Arterial-phase contrast-enhanced abdominal CT, axial slice 597 of 719 (counted from the lowest slice); tube voltage 120 kVp, convolution kernel B20f; slices 1.00 mm thick, 0.766 mm per pixel.
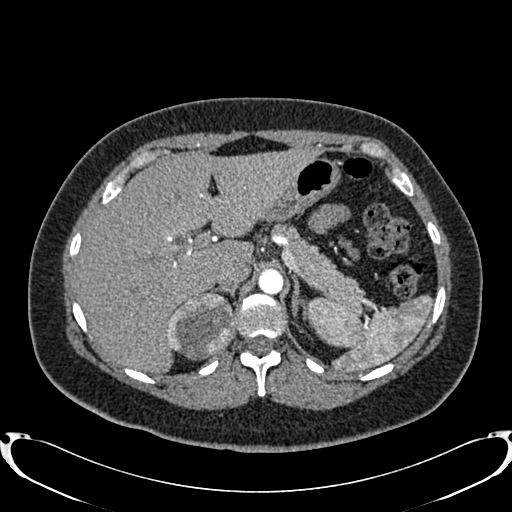
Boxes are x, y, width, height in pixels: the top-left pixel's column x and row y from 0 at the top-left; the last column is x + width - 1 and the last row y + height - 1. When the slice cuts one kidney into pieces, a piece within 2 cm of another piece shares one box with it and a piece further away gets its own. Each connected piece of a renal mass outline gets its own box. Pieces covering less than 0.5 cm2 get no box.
Box x 167, y 291, width 69, height 69: right renal mass (outlined area 3,601 px, about 21.1 cm2); on this slice it lies more than 1 cm from any kidney outline, but the same outlined renal mass comes within 1 cm of the kidney on another slice.